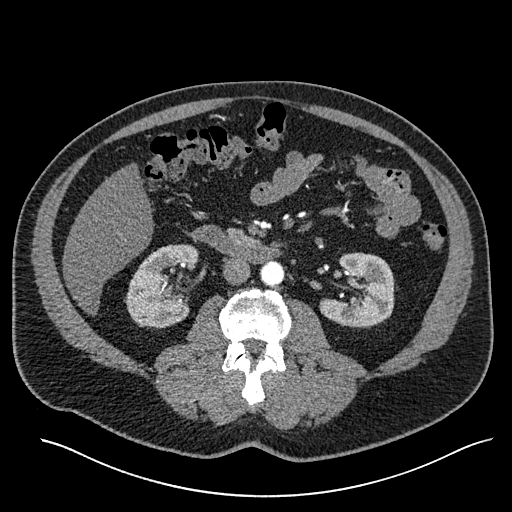
Abdominal CT with intravenous contrast, arterial phase, axial plane, 120 kVp, kernel I30f. Slice 291/527 from the bottom of the scan; thickness 1.00 mm; pixel size 0.859 mm.
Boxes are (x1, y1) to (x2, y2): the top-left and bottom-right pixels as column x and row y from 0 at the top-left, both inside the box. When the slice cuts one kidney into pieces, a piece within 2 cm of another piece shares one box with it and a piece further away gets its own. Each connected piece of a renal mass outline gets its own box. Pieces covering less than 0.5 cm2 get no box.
Two kidney boxes on this slice; by box centre, from the image's left to its right: (1) Right kidney, box (124, 244) to (198, 328) (outlined area 4,419 px, about 32.6 cm2). (2) Box (319, 252) to (394, 328): left kidney (outlined area 4,060 px, about 30.0 cm2). No renal mass is outlined on this slice.